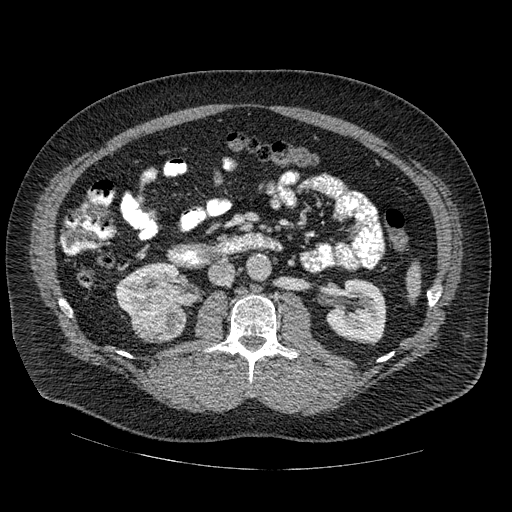
Arterial-phase contrast-enhanced abdominal CT, axial slice 266 of 445 (counted from the lowest slice); tube voltage 120 kVp, convolution kernel STANDARD; slices 1.25 mm thick, 0.863 mm per pixel.
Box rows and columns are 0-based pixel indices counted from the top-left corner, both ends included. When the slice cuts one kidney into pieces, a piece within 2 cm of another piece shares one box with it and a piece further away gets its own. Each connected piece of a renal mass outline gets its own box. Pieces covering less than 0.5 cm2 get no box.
Three boxes on this slice (two kidney boxes and one renal mass box), listed by box centre from the image's left to its right. (1) Box rows 262–318, columns 115–187: right kidney (outlined area 2,743 px, about 20.4 cm2). (2) Box rows 306–343, columns 131–187: right renal mass (outlined area 1,635 px, about 12.2 cm2). (3) Left kidney, box rows 279–344, columns 327–386 (outlined area 2,968 px, about 22.1 cm2).